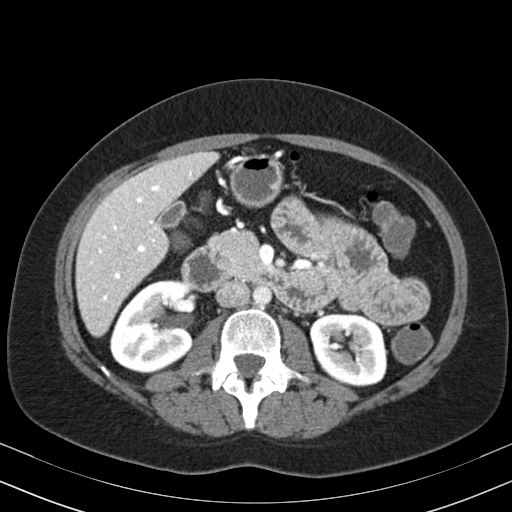
Axial slice 108 of 164 of a contrast-enhanced abdominal CT in the arterial phase (slice 1 is the lowest), 130 kVp, kernel B30s; 3.00 mm slice thickness and 0.664 mm pixels.
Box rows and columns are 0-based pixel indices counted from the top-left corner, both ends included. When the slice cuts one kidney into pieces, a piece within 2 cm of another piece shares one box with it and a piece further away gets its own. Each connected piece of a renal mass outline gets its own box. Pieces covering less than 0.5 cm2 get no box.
Boxed on this slice (two kidney boxes), listed by box centre from the image's left to its right: (1) Right kidney at rows 279–373, columns 109–196 (outlined area 6,157 px, about 27.2 cm2). (2) Box rows 313–386, columns 309–387: left kidney (outlined area 4,613 px, about 20.3 cm2). No renal mass outline on this slice.